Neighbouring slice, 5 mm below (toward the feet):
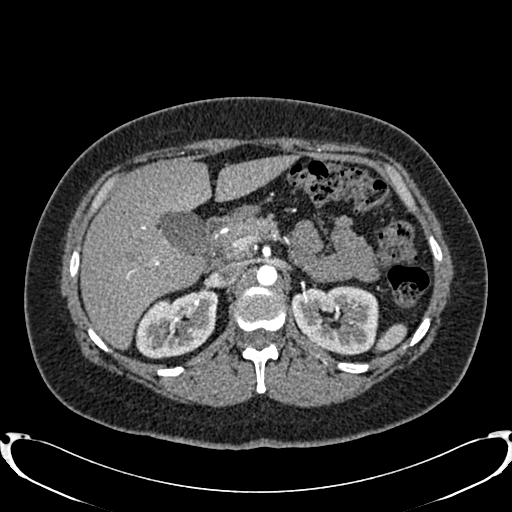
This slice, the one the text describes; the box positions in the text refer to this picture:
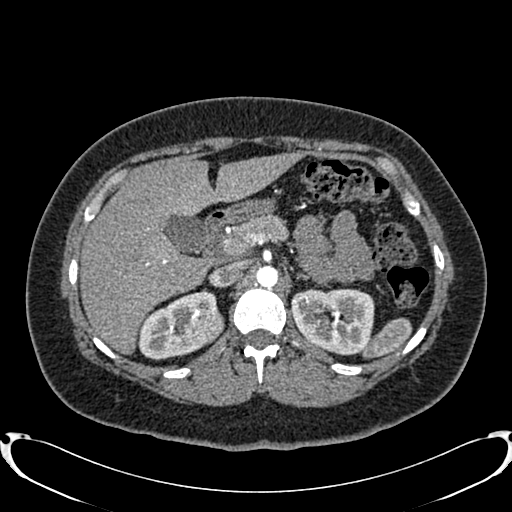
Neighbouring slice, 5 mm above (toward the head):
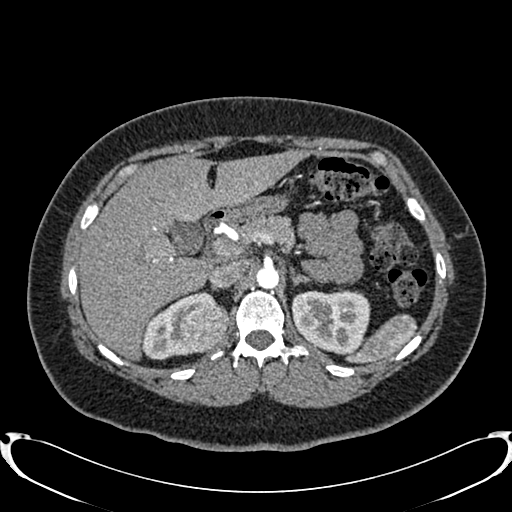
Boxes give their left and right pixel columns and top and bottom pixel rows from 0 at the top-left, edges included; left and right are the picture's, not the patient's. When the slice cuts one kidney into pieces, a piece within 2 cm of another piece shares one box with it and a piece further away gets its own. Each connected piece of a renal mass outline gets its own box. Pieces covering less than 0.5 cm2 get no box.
Arterial-phase contrast-enhanced abdominal CT, axial slice 547 of 719 (counted from the lowest slice); 1.00 mm thick, 0.766 mm per pixel. Boxed on this slice (two kidney boxes and one renal mass box), listed by box centre from the image's left to its right: (1) Right kidney in the box with left 136, top 289, right 217, bottom 359 (outlined area 3,185 px, about 18.7 cm2). (2) Box with left 185, top 309, right 224, bottom 345: right renal mass (outlined area 1,071 px, about 6.3 cm2). (3) Left kidney, the box with left 291, top 288, right 374, bottom 355 (outlined area 4,505 px, about 26.4 cm2). This slice is near the end of the right renal mass toward the feet, so the slices 5 mm below and 5 mm above it are shown as well; the boxes refer to this slice only.
Scan settings: 120 kVp, B20f reconstruction kernel.